Arterial-phase contrast-enhanced abdominal CT, axial slice 217 of 325 (counted from the lowest slice); tube voltage 100 kVp, convolution kernel I30f; slices 1.00 mm thick, 0.703 mm per pixel.
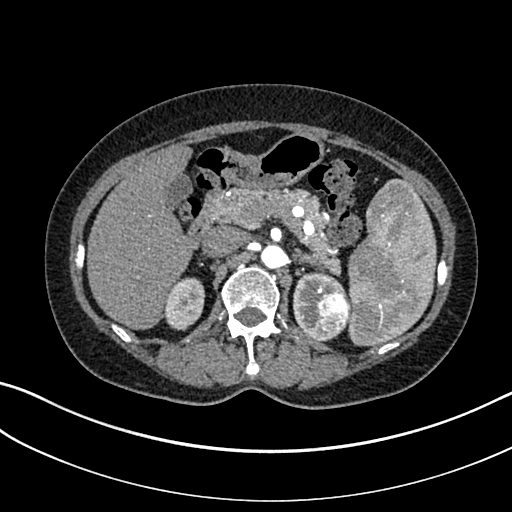
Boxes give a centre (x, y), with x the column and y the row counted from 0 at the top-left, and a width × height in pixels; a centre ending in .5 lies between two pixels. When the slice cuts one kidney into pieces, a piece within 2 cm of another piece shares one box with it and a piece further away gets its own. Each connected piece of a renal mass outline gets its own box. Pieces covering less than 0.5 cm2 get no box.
Boxed on this slice (two kidney boxes and one renal mass box), listed by box centre from the image's left to its right: (1) Box centre (184, 303.5), 43 × 54 pixels: right kidney (outlined area 1,705 px, about 8.4 cm2). (2) Left kidney, box centre (319, 306), 53 × 71 pixels (outlined area 1,935 px, about 9.6 cm2). (3) Left renal mass, box centre (333, 310.5), 37 × 44 pixels (outlined area 1,258 px, about 6.2 cm2).